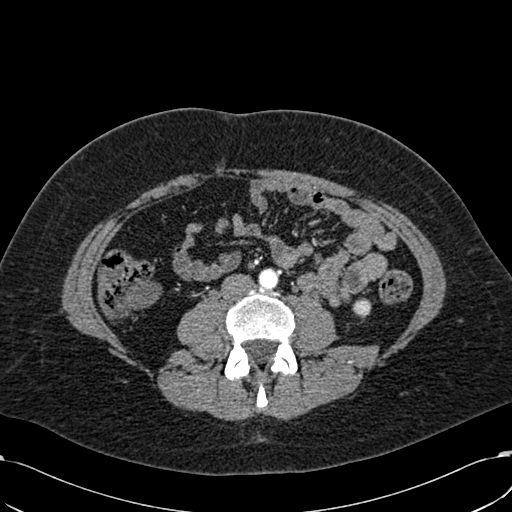
Abdominal CT with intravenous contrast, arterial phase, axial plane, 120 kVp, kernel B30f. Slice 245/532 from the bottom of the scan; thickness 1.00 mm; pixel size 0.713 mm.
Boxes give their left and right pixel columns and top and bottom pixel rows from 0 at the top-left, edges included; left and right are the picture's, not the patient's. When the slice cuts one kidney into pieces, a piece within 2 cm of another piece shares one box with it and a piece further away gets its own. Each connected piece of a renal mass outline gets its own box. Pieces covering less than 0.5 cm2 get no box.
Left kidney in the box with left 352, top 298, right 371, bottom 316 (outlined area 288 px, about 1.5 cm2). No renal mass is outlined on this slice.